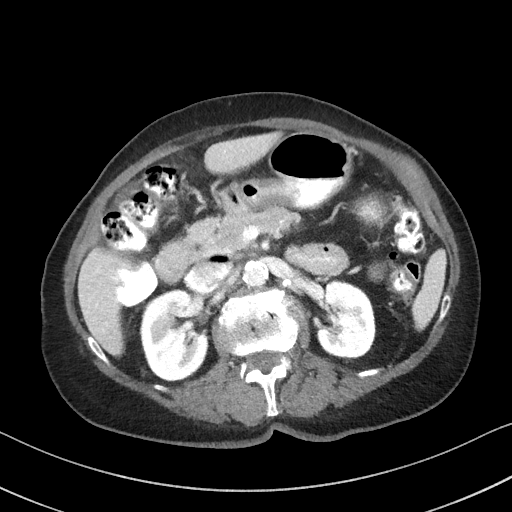
Axial slice 59 of 92 of a contrast-enhanced abdominal CT (slice 1 is the lowest), 100 kVp, kernel I41f; 3.00 mm slice thickness and 0.684 mm pixels.
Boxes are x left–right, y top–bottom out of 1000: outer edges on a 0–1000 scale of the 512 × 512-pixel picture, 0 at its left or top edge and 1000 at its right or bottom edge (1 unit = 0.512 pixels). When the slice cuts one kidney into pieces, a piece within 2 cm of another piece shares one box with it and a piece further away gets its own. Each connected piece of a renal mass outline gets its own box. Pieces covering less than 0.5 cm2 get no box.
Two kidney boxes on this slice; by box centre, from the image's left to its right: (1) Right kidney at x 271–408, y 564–746 out of 1000 (outlined area 4,967 px, about 23.2 cm2). (2) Left kidney at x 615–736, y 545–703 out of 1000 (outlined area 3,846 px, about 18.0 cm2). This slice carries no renal mass outline.